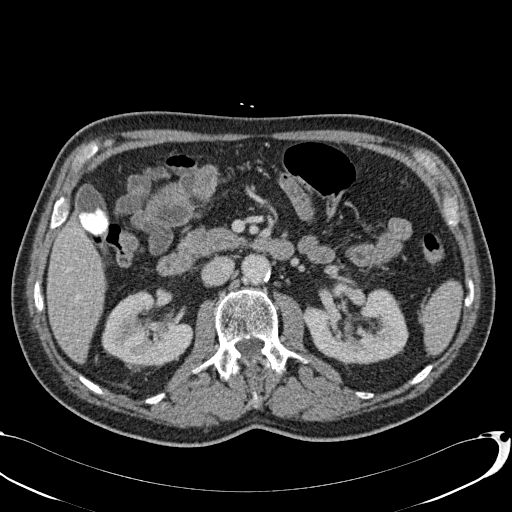
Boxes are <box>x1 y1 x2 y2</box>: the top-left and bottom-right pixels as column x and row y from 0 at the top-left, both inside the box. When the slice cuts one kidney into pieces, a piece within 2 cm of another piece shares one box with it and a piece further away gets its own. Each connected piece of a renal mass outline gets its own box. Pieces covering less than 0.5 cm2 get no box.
Contrast-enhanced abdominal CT, axial slice 44 of 113 (counted from the lowest slice); 2.00 mm thick, 0.742 mm per pixel. Two kidney boxes on this slice; by box centre, from the image's left to its right: (1) At <box>101 291 192 366</box>: right kidney (outlined area 4,868 px, about 26.8 cm2). (2) Left kidney: <box>303 287 408 364</box> (outlined area 5,890 px, about 32.4 cm2). This slice carries no renal mass outline.
Scan settings: 120 kVp, B31f reconstruction kernel.